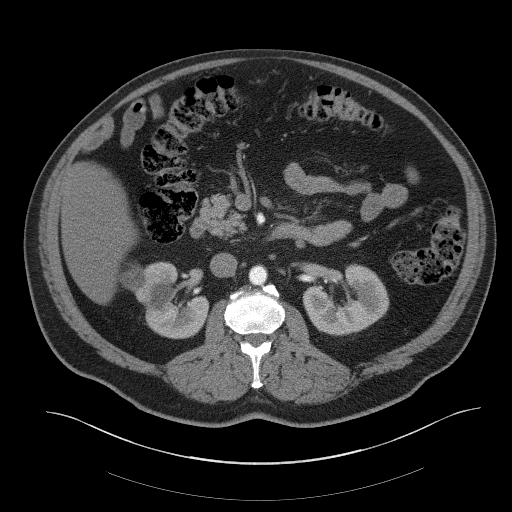
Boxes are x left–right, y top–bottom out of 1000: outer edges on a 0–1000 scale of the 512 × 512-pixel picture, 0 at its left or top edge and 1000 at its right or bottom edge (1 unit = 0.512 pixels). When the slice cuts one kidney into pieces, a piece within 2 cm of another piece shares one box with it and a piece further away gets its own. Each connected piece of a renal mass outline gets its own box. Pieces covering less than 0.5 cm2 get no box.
Slice 27/61 of a contrast-enhanced abdominal CT, counting up from the lowest; pixel size 0.939 mm, slice thickness 3.00 mm. Boxed on this slice (two kidney boxes and one renal mass box), listed by box centre from the image's left to its right: (1) Right renal mass at x 230–289, y 514–572 out of 1000 (outlined area 611 px, about 5.4 cm2). (2) Box x 262–410, y 510–662 out of 1000: right kidney (outlined area 3,785 px, about 33.4 cm2). (3) Left kidney at x 592–760, y 516–656 out of 1000 (outlined area 4,311 px, about 38.0 cm2).
Acquired at 140 kVp and reconstructed with the B41f kernel.